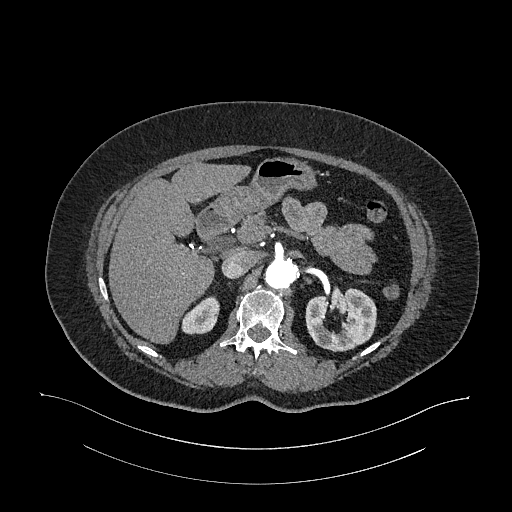
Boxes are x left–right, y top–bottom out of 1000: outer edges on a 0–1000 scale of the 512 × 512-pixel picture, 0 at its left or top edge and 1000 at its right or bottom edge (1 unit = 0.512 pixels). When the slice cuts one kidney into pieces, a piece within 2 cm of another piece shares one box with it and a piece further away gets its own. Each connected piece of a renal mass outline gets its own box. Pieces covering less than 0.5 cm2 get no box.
Arterial-phase contrast-enhanced abdominal CT, axial slice 721 of 987 (counted from the lowest slice); 1.00 mm thick, 0.977 mm per pixel. Two boxes on this slice (two kidney boxes), listed by box centre from the image's left to its right. (1) Right kidney, box x 354–430, y 578–654 out of 1000 (outlined area 1,041 px, about 9.9 cm2). (2) Left kidney, box x 596–736, y 561–688 out of 1000 (outlined area 3,360 px, about 32.0 cm2). No renal mass outline on this slice.
Tube voltage 120 kVp; convolution kernel I26f.